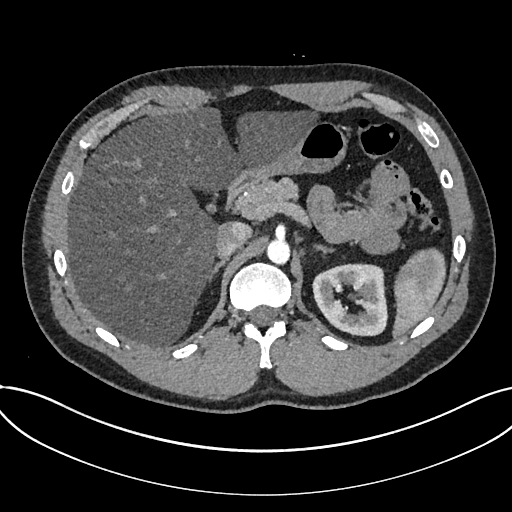
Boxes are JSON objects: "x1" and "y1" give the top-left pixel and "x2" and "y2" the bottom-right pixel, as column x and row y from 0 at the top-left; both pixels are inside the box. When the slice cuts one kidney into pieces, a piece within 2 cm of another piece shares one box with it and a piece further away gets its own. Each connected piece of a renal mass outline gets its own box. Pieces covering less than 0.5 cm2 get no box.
This is axial slice 517 of 735 (slice 1 is the lowest) of an arterial-phase abdominal CT with contrast; each pixel is 0.789 mm and the slice is 1.00 mm thick. Kidney, box {"x1": 312, "y1": 263, "x2": 388, "y2": 336} (outlined area 4,227 px, about 26.3 cm2). No renal mass outline on this slice.
Scan settings: 120 kVp, I30f reconstruction kernel.